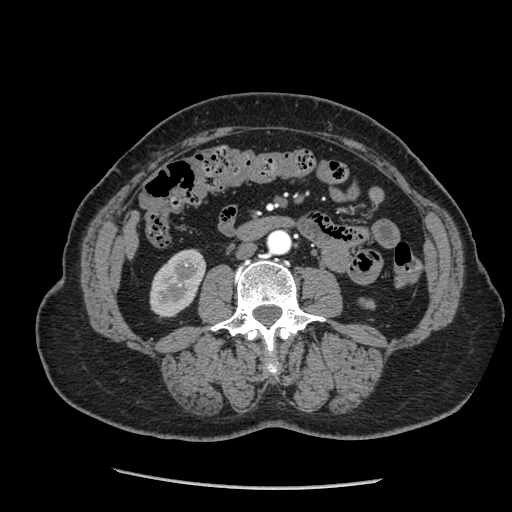
One axial slice (93 of 233, counting up from the lowest) of an arterial-phase abdominal CT acquired with 120 kVp, kernel STANDARD; each pixel is 0.703 mm and the slice is 1.25 mm thick.
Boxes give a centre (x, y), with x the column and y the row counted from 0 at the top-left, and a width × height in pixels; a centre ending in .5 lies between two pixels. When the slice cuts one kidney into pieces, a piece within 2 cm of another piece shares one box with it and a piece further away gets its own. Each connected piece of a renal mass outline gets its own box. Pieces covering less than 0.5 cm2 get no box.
Boxed on this slice (two kidney boxes), listed by box centre from the image's left to its right: (1) Box centre (177.5, 283), 58 × 71 pixels: right kidney (outlined area 2,750 px, about 13.6 cm2). (2) Left kidney, box centre (366.5, 303), 18 × 13 pixels (outlined area 155 px, about 0.8 cm2). No renal mass is outlined on this slice.